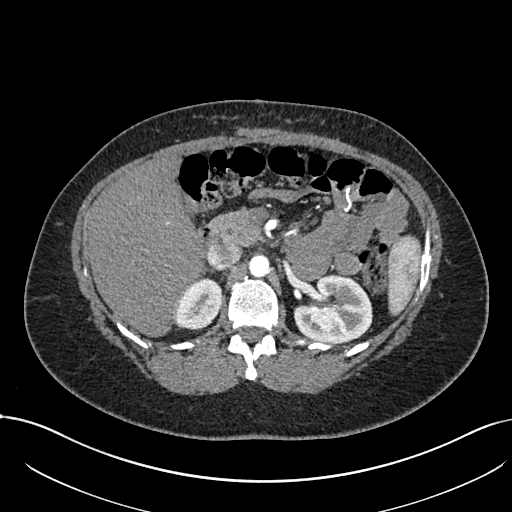
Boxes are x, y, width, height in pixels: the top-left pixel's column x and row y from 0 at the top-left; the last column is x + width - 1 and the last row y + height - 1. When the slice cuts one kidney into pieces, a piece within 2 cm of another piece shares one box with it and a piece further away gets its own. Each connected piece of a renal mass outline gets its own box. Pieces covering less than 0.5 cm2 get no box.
Arterial-phase contrast-enhanced abdominal CT, axial slice 477 of 738 (counted from the lowest slice); 1.00 mm thick, 0.789 mm per pixel. Boxed on this slice (two kidney boxes), listed by box centre from the image's left to its right: (1) Box x 174, y 277, width 47, height 54: right kidney (outlined area 1,912 px, about 11.9 cm2). (2) Box x 293, y 274, width 80, height 69: left kidney (outlined area 4,131 px, about 25.7 cm2). No renal mass is outlined on this slice.
Tube voltage 120 kVp; convolution kernel I30f.